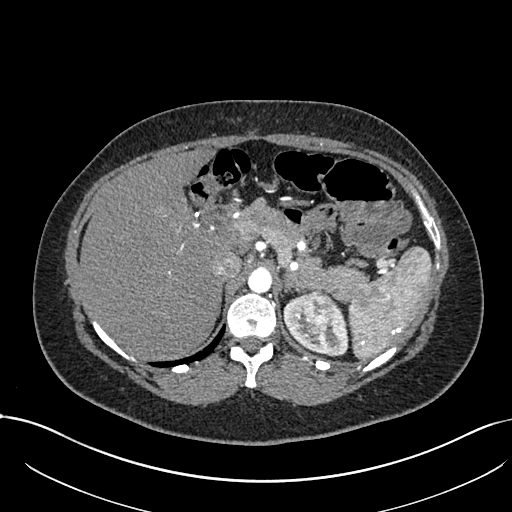
Arterial-phase contrast-enhanced abdominal CT, axial slice 537 of 738 (counted from the lowest slice); tube voltage 120 kVp, convolution kernel I30f; slices 1.00 mm thick, 0.789 mm per pixel.
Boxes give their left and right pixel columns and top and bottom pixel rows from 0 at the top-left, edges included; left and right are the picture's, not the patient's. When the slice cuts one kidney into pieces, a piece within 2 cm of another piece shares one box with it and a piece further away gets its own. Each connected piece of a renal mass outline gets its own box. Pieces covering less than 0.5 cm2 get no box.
Boxed on this slice (one kidney box and one renal mass box), listed by box centre from the image's left to its right: (1) Left kidney, the box with left 283, top 293, right 348, bottom 356 (outlined area 2,134 px, about 13.3 cm2). (2) Left renal mass in the box with left 303, top 291, right 331, bottom 336 (outlined area 1,062 px, about 6.6 cm2).